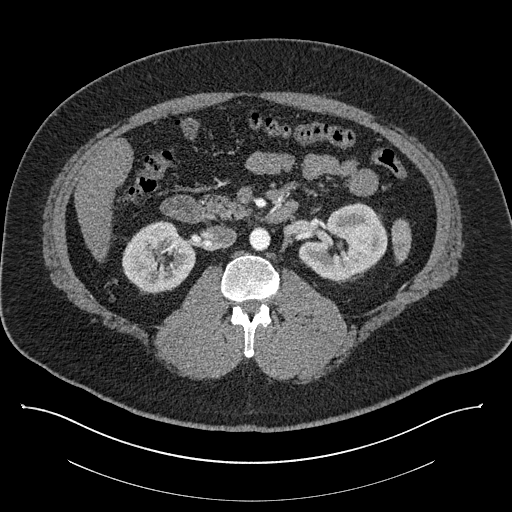
Abdominal CT with intravenous contrast, axial plane, 140 kVp, kernel I30f. Slice 488/787 from the bottom of the scan; thickness 1.00 mm; pixel size 0.910 mm.
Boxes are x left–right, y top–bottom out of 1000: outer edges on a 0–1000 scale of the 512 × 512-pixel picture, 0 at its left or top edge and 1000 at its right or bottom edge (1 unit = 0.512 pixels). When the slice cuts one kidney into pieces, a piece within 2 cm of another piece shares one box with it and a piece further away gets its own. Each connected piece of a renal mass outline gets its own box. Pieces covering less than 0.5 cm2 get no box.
Two kidney boxes on this slice; by box centre, from the image's left to its right: (1) Box x 238–383, y 430–576 out of 1000: right kidney (outlined area 3,981 px, about 33.0 cm2). (2) Left kidney at x 582–758, y 395–551 out of 1000 (outlined area 4,836 px, about 40.1 cm2). This slice carries no renal mass outline.